Arterial-phase contrast-enhanced abdominal CT, axial slice 364 of 735 (counted from the lowest slice); tube voltage 120 kVp, convolution kernel I30f; slices 1.00 mm thick, 0.789 mm per pixel.
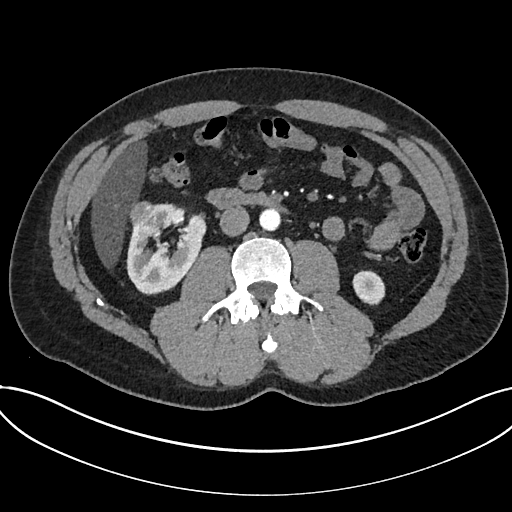
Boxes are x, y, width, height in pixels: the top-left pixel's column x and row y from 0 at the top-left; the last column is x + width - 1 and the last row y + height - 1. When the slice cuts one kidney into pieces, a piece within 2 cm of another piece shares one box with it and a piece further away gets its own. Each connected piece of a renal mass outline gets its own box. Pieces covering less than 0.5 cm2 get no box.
Three boxes on this slice (two kidney boxes and one renal mass box), listed by box centre from the image's left to its right. (1) Renal mass at x 129, y 201, width 31, height 28 (outlined area 655 px, about 4.1 cm2). (2) Box x 126, y 202, width 81, height 94: kidney (outlined area 4,732 px, about 29.5 cm2). (3) Kidney at x 352, y 270, width 34, height 36 (outlined area 906 px, about 5.6 cm2).